Arterial-phase contrast-enhanced abdominal CT, axial slice 265 of 735 (counted from the lowest slice); tube voltage 120 kVp, convolution kernel I30f; slices 1.00 mm thick, 0.789 mm per pixel.
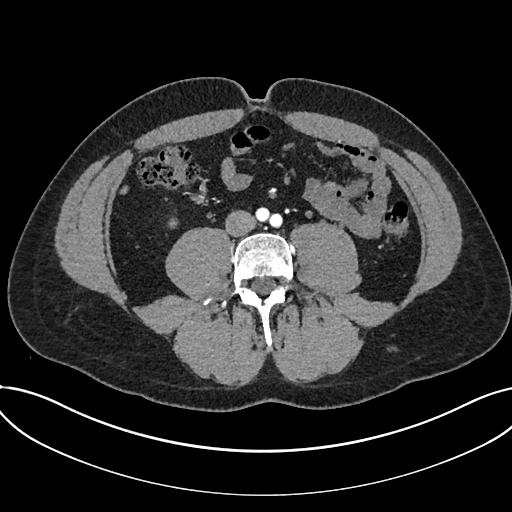
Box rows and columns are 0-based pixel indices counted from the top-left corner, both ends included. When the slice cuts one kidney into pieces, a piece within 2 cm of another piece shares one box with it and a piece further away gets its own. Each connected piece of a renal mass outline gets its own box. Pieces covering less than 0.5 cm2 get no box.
Kidney, box rows 217–228, columns 168–178 (outlined area 90 px, about 0.6 cm2). No renal mass outline on this slice.